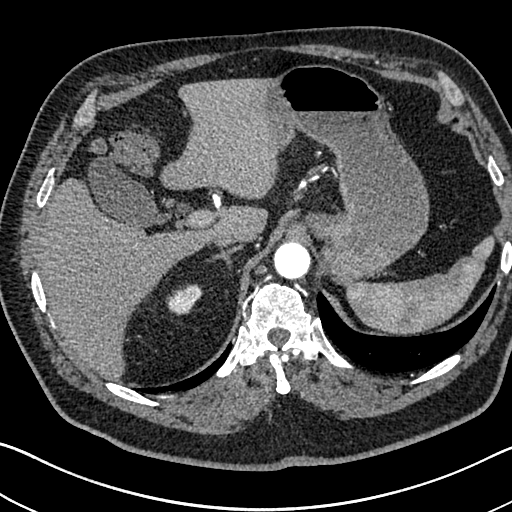
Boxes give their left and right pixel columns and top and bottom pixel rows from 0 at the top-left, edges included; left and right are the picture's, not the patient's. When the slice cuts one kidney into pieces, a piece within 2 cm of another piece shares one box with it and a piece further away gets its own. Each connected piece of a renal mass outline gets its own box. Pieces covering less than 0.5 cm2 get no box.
Slice 558/705 of a contrast-enhanced abdominal CT in the arterial phase, counting up from the lowest; pixel size 0.703 mm, slice thickness 1.00 mm. Right kidney, the box with left 166, top 284, right 202, bottom 315 (outlined area 791 px, about 3.9 cm2). No renal mass is outlined on this slice.
Tube voltage 120 kVp; convolution kernel I30f.